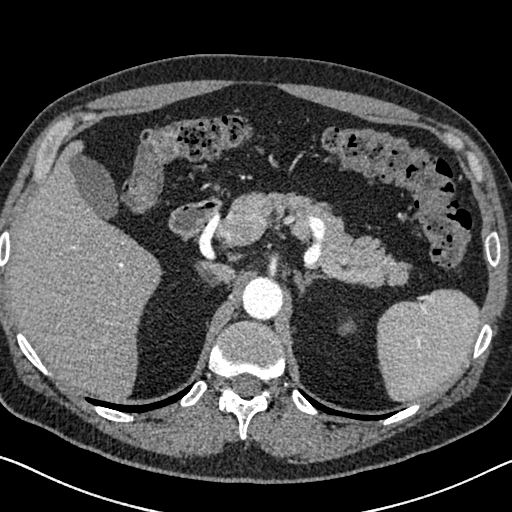
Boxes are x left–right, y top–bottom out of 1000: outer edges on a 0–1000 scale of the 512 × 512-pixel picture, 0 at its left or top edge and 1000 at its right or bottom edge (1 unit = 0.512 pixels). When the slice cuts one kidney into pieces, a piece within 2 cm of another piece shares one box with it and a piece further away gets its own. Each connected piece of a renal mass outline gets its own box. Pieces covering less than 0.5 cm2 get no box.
Slice 494/626 of a contrast-enhanced abdominal CT in the arterial phase, counting up from the lowest; pixel size 0.703 mm, slice thickness 1.00 mm. Left kidney at x 660–695, y 623–656 out of 1000 (outlined area 183 px, about 0.9 cm2). No renal mass is outlined on this slice.
Tube voltage 120 kVp; convolution kernel I30f.